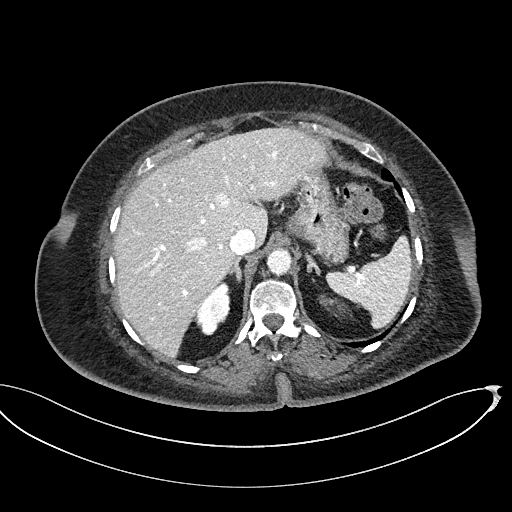
Axial slice 364 of 439 of a contrast-enhanced abdominal CT (slice 1 is the lowest), 100 kVp, kernel I40f; 2.00 mm slice thickness and 0.850 mm pixels.
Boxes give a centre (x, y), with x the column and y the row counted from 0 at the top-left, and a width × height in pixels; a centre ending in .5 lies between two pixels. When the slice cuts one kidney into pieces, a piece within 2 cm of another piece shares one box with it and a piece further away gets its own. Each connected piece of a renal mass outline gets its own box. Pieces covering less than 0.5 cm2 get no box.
Two boxes on this slice (two kidney boxes), listed by box centre from the image's left to its right. (1) Right kidney, box centre (212, 308), 37 × 55 pixels (outlined area 1,281 px, about 9.2 cm2). (2) Box centre (333, 304), 31 × 21 pixels: left kidney (outlined area 283 px, about 2.0 cm2). No renal mass is outlined on this slice.